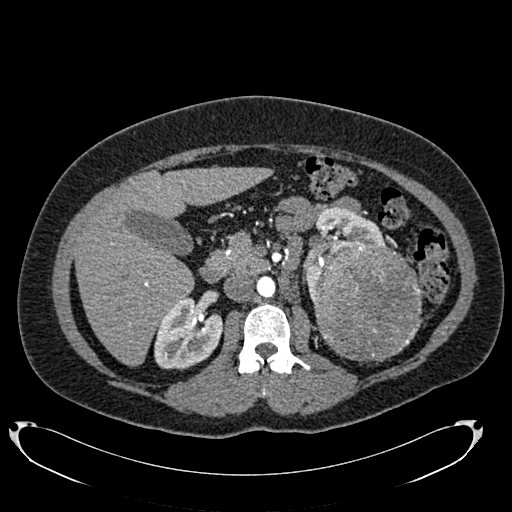
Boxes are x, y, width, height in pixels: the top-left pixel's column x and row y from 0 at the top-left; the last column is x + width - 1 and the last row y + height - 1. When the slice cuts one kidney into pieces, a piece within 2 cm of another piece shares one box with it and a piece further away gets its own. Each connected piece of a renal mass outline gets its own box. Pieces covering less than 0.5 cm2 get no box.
Arterial-phase contrast-enhanced abdominal CT, axial slice 445 of 634 (counted from the lowest slice); 1.00 mm thick, 0.838 mm per pixel. Two kidney boxes and one renal mass box on this slice; by box centre, from the image's left to its right: (1) Right kidney at x 154, y 296, width 70, height 75 (outlined area 3,694 px, about 25.9 cm2). (2) Box x 303, y 206, width 85, height 96: left kidney (outlined area 2,752 px, about 19.3 cm2). (3) Left renal mass, box x 312, y 241, width 111, height 123 (outlined area 10,718 px, about 75.2 cm2).
Tube voltage 120 kVp; convolution kernel B20f.